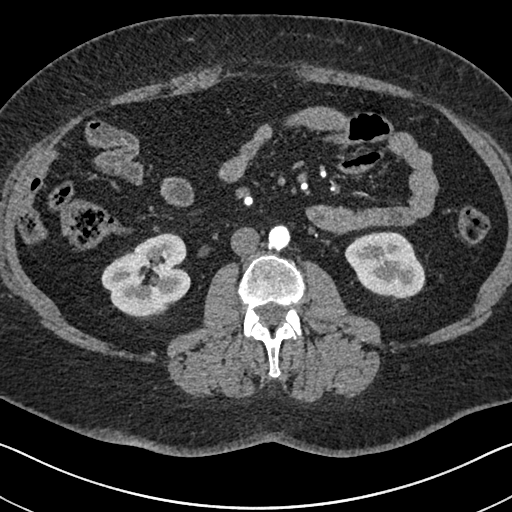
Axial slice 333 of 591 of a contrast-enhanced abdominal CT in the arterial phase (slice 1 is the lowest), 140 kVp, kernel I30f; 1.00 mm slice thickness and 0.703 mm pixels.
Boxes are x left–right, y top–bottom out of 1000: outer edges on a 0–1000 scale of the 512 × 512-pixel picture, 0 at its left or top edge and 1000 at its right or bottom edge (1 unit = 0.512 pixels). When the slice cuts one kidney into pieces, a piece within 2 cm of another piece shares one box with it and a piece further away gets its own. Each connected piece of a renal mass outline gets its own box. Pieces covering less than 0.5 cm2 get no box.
Boxed on this slice (two kidney boxes), listed by box centre from the image's left to its right: (1) Right kidney at x 197–373, y 453–625 out of 1000 (outlined area 5,346 px, about 26.4 cm2). (2) Left kidney at x 672–832, y 451–588 out of 1000 (outlined area 4,045 px, about 20.0 cm2). No renal mass is outlined on this slice.